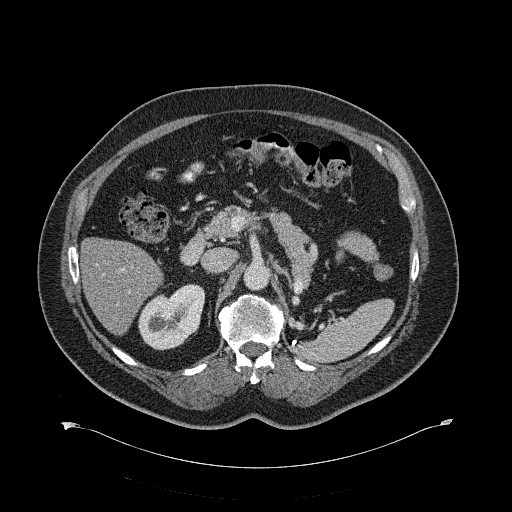
Axial slice 403 of 734 of a contrast-enhanced abdominal CT (slice 1 is the lowest), 120 kVp, kernel B31f; 2.00 mm slice thickness and 0.971 mm pixels.
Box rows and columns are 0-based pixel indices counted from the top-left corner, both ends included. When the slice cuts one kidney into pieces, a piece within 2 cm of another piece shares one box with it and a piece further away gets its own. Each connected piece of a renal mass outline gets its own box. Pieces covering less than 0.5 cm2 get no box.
Box rows 283–350, columns 138–205: right kidney (outlined area 3,190 px, about 30.1 cm2). No renal mass is outlined on this slice.